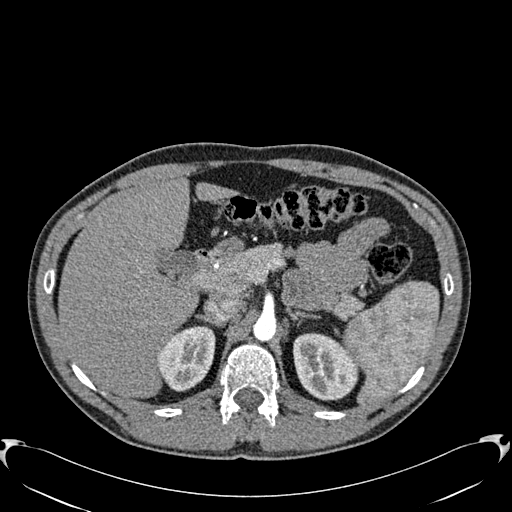
Abdominal CT with intravenous contrast, arterial phase, axial plane, 120 kVp, kernel B30f. Slice 423/512 from the bottom of the scan; thickness 1.00 mm; pixel size 0.771 mm.
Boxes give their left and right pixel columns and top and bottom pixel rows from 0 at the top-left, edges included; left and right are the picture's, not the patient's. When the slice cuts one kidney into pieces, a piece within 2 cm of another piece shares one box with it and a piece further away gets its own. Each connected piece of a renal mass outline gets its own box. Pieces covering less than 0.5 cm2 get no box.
Two boxes on this slice (two kidney boxes), listed by box centre from the image's left to its right. (1) Right kidney, the box with left 158, top 325, right 215, bottom 391 (outlined area 2,819 px, about 16.8 cm2). (2) Left kidney, the box with left 293, top 332, right 357, bottom 400 (outlined area 3,361 px, about 20.0 cm2). No renal mass is outlined on this slice.